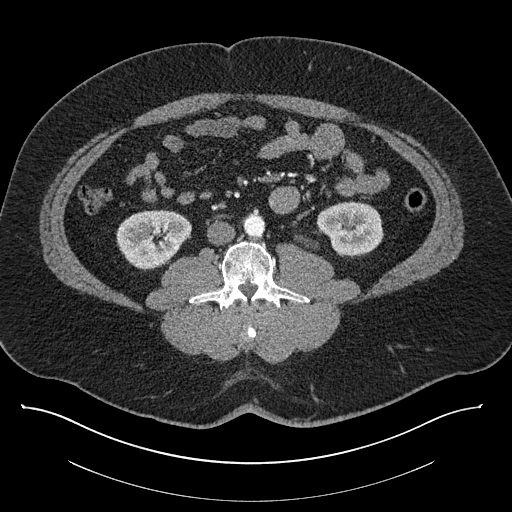
Contrast-enhanced abdominal CT, axial slice 396 of 787 (counted from the lowest slice); tube voltage 140 kVp, convolution kernel I30f; slices 1.00 mm thick, 0.910 mm per pixel.
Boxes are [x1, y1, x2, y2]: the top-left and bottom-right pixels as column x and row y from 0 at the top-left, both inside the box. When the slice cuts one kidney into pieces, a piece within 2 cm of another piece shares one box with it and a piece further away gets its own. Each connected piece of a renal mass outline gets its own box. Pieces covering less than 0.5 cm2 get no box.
Two boxes on this slice (two kidney boxes), listed by box centre from the image's left to its right. (1) Box [116, 209, 191, 270]: right kidney (outlined area 3,392 px, about 28.1 cm2). (2) Left kidney at [296, 201, 383, 256] (outlined area 2,969 px, about 24.6 cm2). No renal mass outline on this slice.